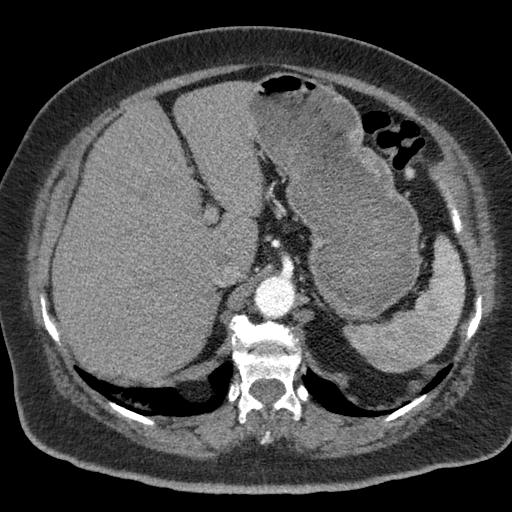
Abdominal CT with intravenous contrast, axial plane, 120 kVp, kernel B. Slice 55/76 from the bottom of the scan; thickness 3.00 mm; pixel size 0.684 mm.
No kidney and no renal mass is outlined on this slice; the outlines in this scan cover only the kidneys and the renal masses, so nothing is said about any other organ.